Arterial-phase contrast-enhanced abdominal CT, axial slice 367 of 738 (counted from the lowest slice); tube voltage 120 kVp, convolution kernel I30f; slices 1.00 mm thick, 0.789 mm per pixel.
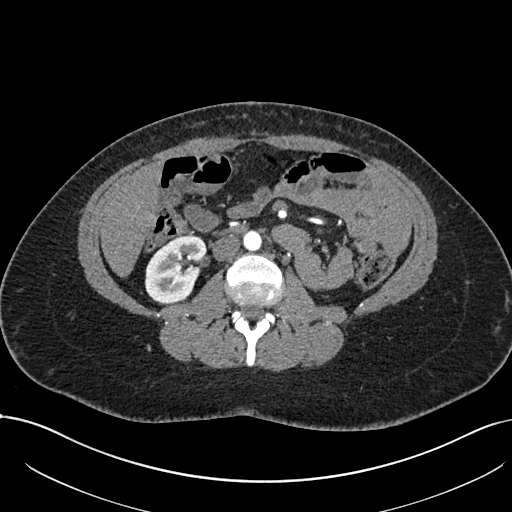
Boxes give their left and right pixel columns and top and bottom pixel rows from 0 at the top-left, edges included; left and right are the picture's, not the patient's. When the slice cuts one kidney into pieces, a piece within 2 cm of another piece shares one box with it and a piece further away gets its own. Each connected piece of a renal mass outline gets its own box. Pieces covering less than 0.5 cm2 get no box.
Right kidney in the box with left 144, top 235, right 207, bottom 303 (outlined area 3,148 px, about 19.6 cm2). No renal mass outline on this slice.